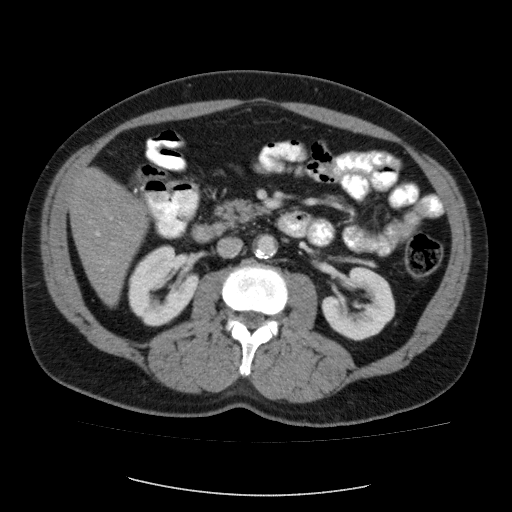
Axial slice 52 of 87 of a contrast-enhanced abdominal CT (slice 1 is the lowest), 120 kVp, kernel FC12; 5.00 mm slice thickness and 0.812 mm pixels.
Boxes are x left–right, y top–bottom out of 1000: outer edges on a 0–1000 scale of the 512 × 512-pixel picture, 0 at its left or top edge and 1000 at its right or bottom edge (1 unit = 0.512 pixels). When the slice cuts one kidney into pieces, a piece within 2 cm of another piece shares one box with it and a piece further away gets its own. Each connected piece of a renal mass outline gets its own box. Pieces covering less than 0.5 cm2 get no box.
Boxed on this slice (two kidney boxes), listed by box centre from the image's left to its right: (1) Box x 250–391, y 479–639 out of 1000: right kidney (outlined area 3,970 px, about 26.2 cm2). (2) Box x 627–773, y 521–666 out of 1000: left kidney (outlined area 3,662 px, about 24.1 cm2).